Abdominal CT with intravenous contrast, arterial phase, axial plane, 100 kVp, kernel SOFT. Slice 258/383 from the bottom of the scan; thickness 1.25 mm; pixel size 0.898 mm.
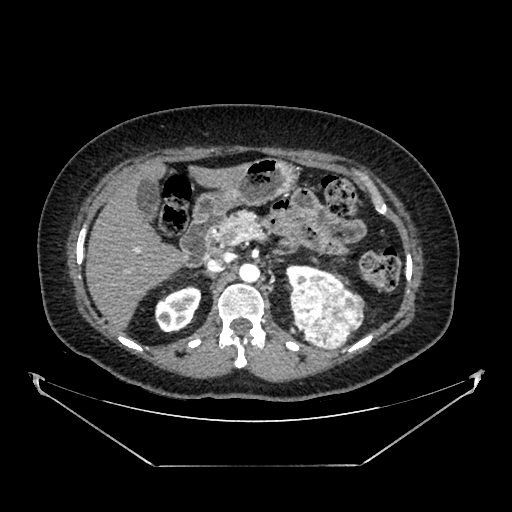
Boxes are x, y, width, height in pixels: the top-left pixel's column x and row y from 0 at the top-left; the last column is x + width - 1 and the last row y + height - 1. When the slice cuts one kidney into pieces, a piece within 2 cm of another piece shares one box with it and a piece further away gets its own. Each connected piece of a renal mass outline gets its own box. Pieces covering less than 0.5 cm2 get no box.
Two kidney boxes and one renal mass box on this slice; by box centre, from the image's left to its right: (1) Right kidney, box x 155, y 285, width 47, height 48 (outlined area 1,603 px, about 12.9 cm2). (2) Box x 286, y 265, width 62, height 24: left kidney (outlined area 803 px, about 6.5 cm2). (3) Left renal mass, box x 289, y 280, width 76, height 71 (outlined area 3,958 px, about 31.9 cm2).